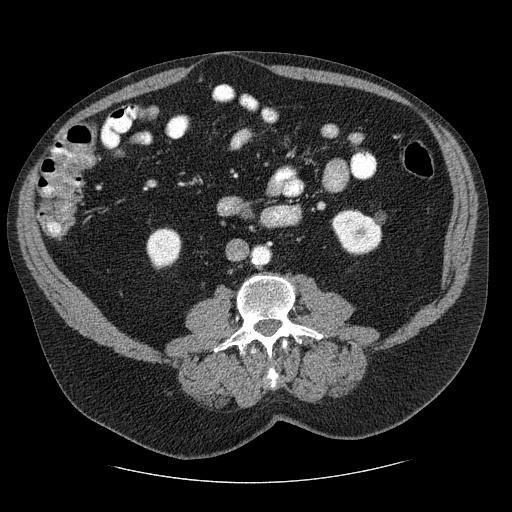
Abdominal CT with intravenous contrast, axial plane, 120 kVp, kernel STANDARD. Slice 111/206 from the bottom of the scan; thickness 2.50 mm; pixel size 0.879 mm.
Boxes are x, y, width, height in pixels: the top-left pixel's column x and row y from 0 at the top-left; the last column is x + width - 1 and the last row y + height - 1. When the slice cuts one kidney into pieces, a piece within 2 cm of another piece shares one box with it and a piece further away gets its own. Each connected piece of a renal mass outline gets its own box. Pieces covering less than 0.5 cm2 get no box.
Two kidney boxes on this slice; by box centre, from the image's left to its right: (1) Box x 146, y 227, width 36, height 44: right kidney (outlined area 1,181 px, about 9.1 cm2). (2) Left kidney at x 331, y 209, width 52, height 47 (outlined area 1,772 px, about 13.7 cm2). No renal mass is outlined on this slice.